Arterial-phase contrast-enhanced abdominal CT, axial slice 279 of 723 (counted from the lowest slice); tube voltage 120 kVp, convolution kernel B30f; slices 1.00 mm thick, 0.895 mm per pixel.
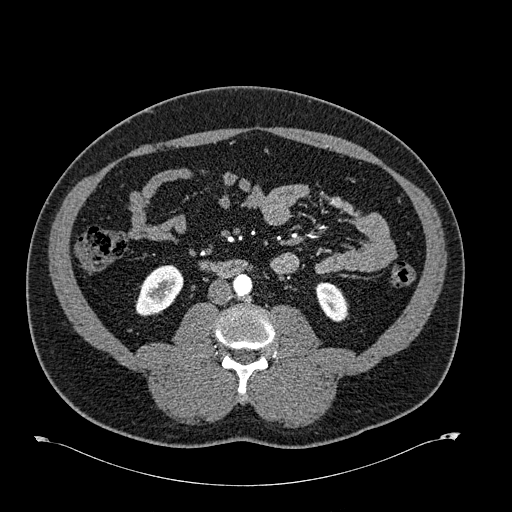
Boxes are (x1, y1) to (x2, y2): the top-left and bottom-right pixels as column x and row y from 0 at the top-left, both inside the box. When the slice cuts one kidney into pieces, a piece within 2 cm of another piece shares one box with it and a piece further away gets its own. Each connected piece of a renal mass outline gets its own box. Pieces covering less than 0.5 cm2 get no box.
Two kidney boxes on this slice; by box centre, from the image's left to its right: (1) Box (135, 265) to (183, 316): right kidney (outlined area 1,735 px, about 13.9 cm2). (2) Left kidney from (315, 282) to (347, 322) (outlined area 947 px, about 7.6 cm2). No renal mass outline on this slice.